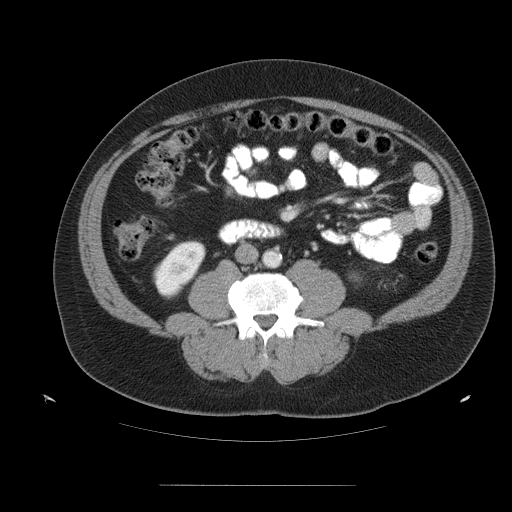
Abdominal CT with intravenous contrast, axial plane, 120 kVp, kernel STANDARD. Slice 57/99 from the bottom of the scan; thickness 5.00 mm; pixel size 0.938 mm.
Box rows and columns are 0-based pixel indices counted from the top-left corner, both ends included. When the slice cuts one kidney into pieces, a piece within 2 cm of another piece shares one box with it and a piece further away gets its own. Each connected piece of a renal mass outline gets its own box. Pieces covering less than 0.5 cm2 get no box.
Right kidney, box rows 240–299, columns 152–206 (outlined area 2,050 px, about 18.0 cm2). No renal mass is outlined on this slice.